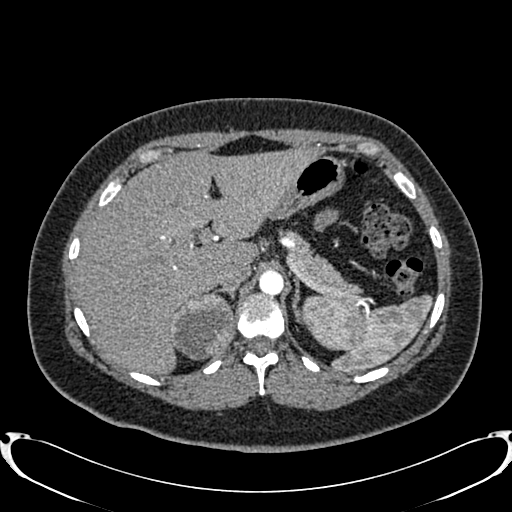
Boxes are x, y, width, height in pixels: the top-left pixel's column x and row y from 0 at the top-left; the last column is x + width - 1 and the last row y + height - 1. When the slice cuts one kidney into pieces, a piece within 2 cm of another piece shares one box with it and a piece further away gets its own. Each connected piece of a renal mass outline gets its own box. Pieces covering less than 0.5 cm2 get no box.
Arterial-phase contrast-enhanced abdominal CT, axial slice 603 of 719 (counted from the lowest slice); 1.00 mm thick, 0.766 mm per pixel. Box x 171, y 293, width 64, height 68: right renal mass (outlined area 3,260 px, about 19.1 cm2); no kidney is outlined on this slice, but the same outlined renal mass comes within 1 cm of the kidney on another slice.
Scan settings: 120 kVp, B20f reconstruction kernel.